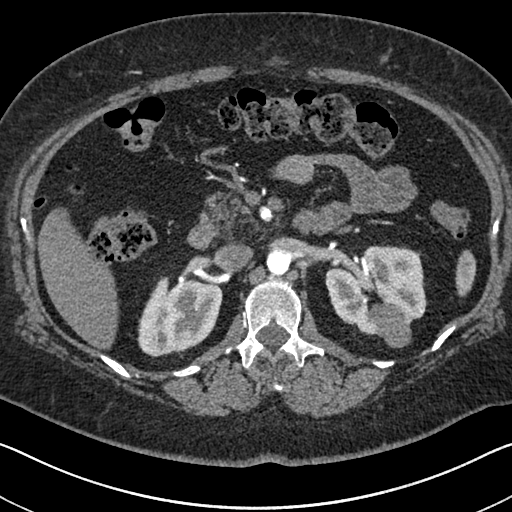
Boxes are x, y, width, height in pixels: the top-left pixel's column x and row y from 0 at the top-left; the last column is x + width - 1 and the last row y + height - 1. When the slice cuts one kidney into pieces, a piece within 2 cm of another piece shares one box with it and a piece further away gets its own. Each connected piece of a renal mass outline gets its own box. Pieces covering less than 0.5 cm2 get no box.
This is axial slice 430 of 591 (slice 1 is the lowest) of an arterial-phase abdominal CT with contrast; each pixel is 0.703 mm and the slice is 1.00 mm thick. Two kidney boxes and one renal mass box on this slice; by box centre, from the image's left to its right: (1) Right kidney at x 137, y 276, width 86, height 82 (outlined area 5,067 px, about 25.1 cm2). (2) Box x 325, y 245, width 103, height 90: left kidney (outlined area 5,915 px, about 29.2 cm2). (3) Left renal mass, box x 367, y 303, width 45, height 45 (outlined area 1,420 px, about 7.0 cm2).
Scan settings: 140 kVp, I30f reconstruction kernel.